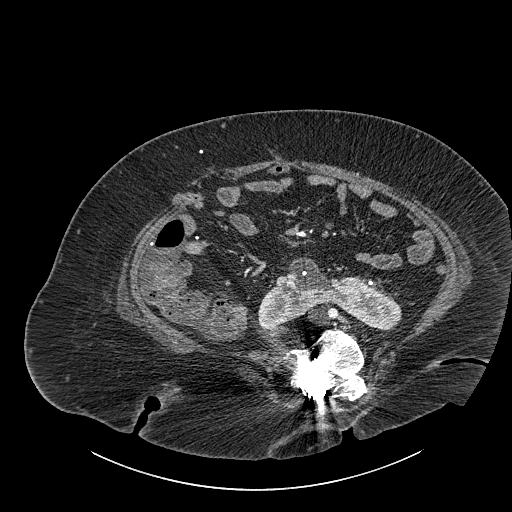
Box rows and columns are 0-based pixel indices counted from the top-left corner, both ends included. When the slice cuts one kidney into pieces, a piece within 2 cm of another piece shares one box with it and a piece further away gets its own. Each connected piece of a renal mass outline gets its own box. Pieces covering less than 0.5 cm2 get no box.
Slice 463/834 of a contrast-enhanced abdominal CT, counting up from the lowest; pixel size 0.977 mm, slice thickness 1.00 mm. Box rows 257–329, columns 256–401: kidney crossing the body midline (outlined area 5,747 px, about 54.8 cm2). This slice carries no renal mass outline.
Tube voltage 140 kVp; convolution kernel I30f.